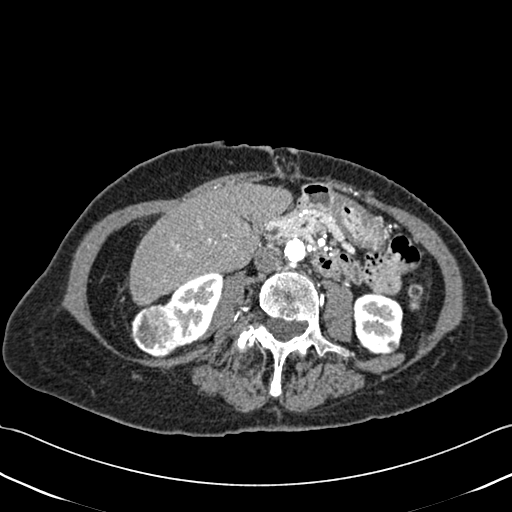
Contrast-enhanced abdominal CT, axial slice 192 of 433 (counted from the lowest slice); tube voltage 120 kVp, convolution kernel B30f; slices 1.00 mm thick, 0.672 mm per pixel.
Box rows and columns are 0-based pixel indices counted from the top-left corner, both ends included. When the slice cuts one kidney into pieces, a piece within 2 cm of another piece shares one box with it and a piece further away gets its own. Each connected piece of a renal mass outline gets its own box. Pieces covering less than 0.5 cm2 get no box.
Boxed on this slice (two kidney boxes and one renal mass box), listed by box centre from the image's left to its right: (1) Right renal mass, box rows 304–358, columns 131–180 (outlined area 2,066 px, about 9.3 cm2). (2) Right kidney at rows 273–347, columns 164–223 (outlined area 2,611 px, about 11.8 cm2). (3) Box rows 293–354, columns 353–403: left kidney (outlined area 2,572 px, about 11.6 cm2).